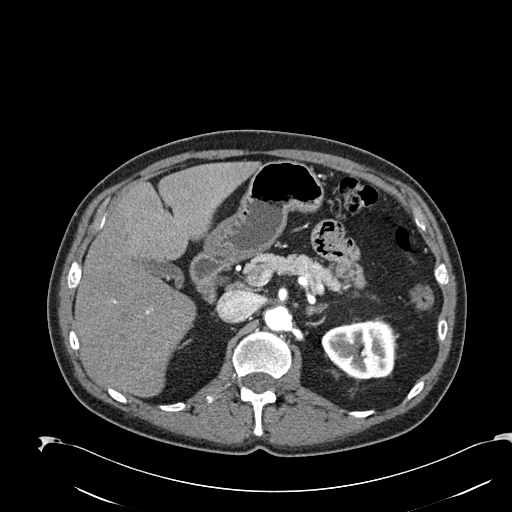
Arterial-phase contrast-enhanced abdominal CT, axial slice 149 of 274 (counted from the lowest slice); tube voltage 120 kVp, convolution kernel B30f; slices 2.00 mm thick, 0.809 mm per pixel.
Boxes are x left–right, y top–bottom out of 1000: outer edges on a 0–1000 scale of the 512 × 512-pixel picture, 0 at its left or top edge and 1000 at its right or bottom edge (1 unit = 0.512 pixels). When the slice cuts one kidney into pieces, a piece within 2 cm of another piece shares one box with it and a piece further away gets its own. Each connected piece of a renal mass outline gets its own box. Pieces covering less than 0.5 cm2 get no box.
Left kidney, box x 627–775, y 625–742 out of 1000 (outlined area 3,559 px, about 23.3 cm2). No renal mass is outlined on this slice.